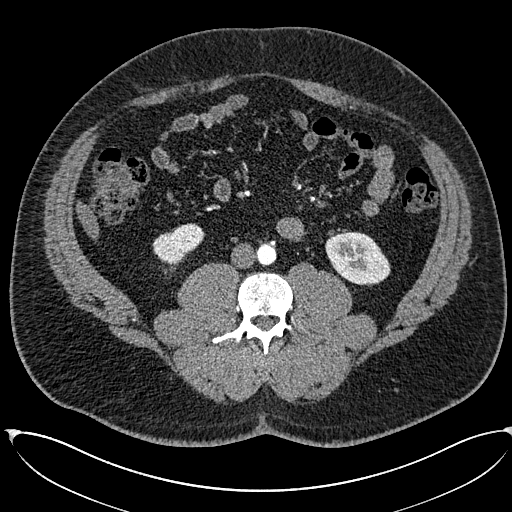
Abdominal CT with intravenous contrast, arterial phase, axial plane, 120 kVp, kernel I30f. Slice 253/673 from the bottom of the scan; thickness 1.00 mm; pixel size 0.855 mm.
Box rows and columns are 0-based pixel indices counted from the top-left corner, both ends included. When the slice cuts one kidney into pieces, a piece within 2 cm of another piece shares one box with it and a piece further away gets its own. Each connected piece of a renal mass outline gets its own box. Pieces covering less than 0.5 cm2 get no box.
Boxed on this slice (two kidney boxes), listed by box centre from the image's left to its right: (1) Box rows 223–264, columns 152–204: right kidney (outlined area 1,428 px, about 10.5 cm2). (2) Left kidney, box rows 231–285, columns 325–390 (outlined area 2,605 px, about 19.1 cm2). No renal mass is outlined on this slice.